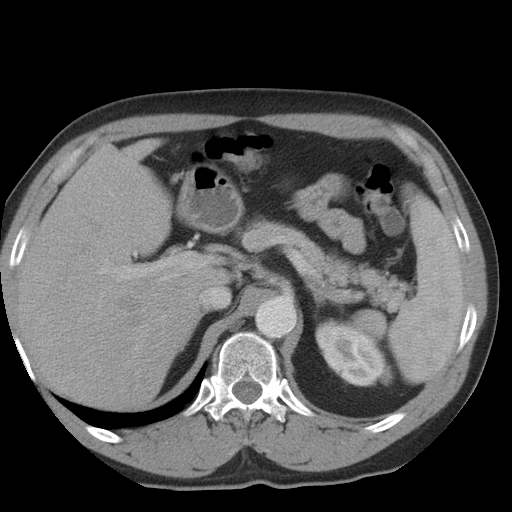
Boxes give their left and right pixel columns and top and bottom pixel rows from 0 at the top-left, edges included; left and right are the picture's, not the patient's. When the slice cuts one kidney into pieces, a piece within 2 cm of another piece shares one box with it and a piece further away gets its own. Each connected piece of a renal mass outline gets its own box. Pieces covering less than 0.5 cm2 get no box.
Slice 28/36 of a contrast-enhanced abdominal CT in the arterial phase, counting up from the lowest; pixel size 0.703 mm, slice thickness 5.00 mm. Left kidney, the box with left 316, top 318, right 393, bottom 386 (outlined area 3,563 px, about 17.6 cm2). This slice carries no renal mass outline.
Scan settings: 140 kVp, STANDARD reconstruction kernel.